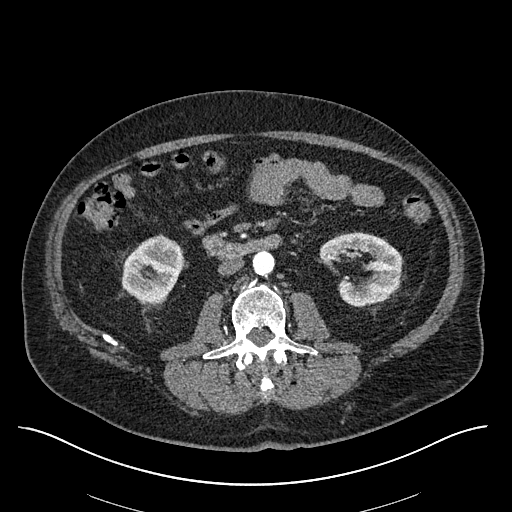
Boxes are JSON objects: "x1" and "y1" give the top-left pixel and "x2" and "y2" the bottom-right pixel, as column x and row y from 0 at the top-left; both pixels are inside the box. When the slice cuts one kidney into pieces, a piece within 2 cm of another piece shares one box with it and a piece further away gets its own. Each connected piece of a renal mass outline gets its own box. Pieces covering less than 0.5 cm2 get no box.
This is axial slice 283 of 670 (slice 1 is the lowest) of an arterial-phase abdominal CT with contrast; each pixel is 0.861 mm and the slice is 1.00 mm thick. Two boxes on this slice (two kidney boxes), listed by box centre from the image's left to its right. (1) Right kidney at {"x1": 121, "y1": 234, "x2": 184, "y2": 303} (outlined area 3,215 px, about 23.9 cm2). (2) Left kidney, box {"x1": 319, "y1": 232, "x2": 401, "y2": 305} (outlined area 3,973 px, about 29.5 cm2). No renal mass is outlined on this slice.
Acquired at 120 kVp and reconstructed with the I30f kernel.